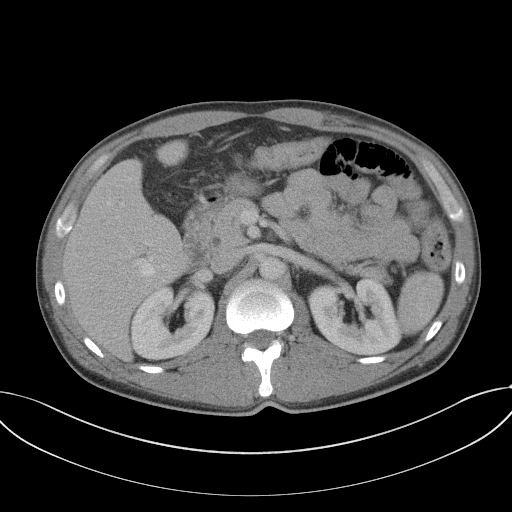
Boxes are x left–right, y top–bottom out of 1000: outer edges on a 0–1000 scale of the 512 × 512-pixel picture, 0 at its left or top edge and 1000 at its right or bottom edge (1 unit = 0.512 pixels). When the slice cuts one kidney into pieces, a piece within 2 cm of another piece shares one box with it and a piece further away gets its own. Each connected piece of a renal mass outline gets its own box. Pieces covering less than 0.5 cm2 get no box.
Contrast-enhanced abdominal CT, axial slice 70 of 102 (counted from the lowest slice); 5.00 mm thick, 0.807 mm per pixel. Boxed on this slice (two kidney boxes), listed by box centre from the image's left to its right: (1) Right kidney, box x 254–420, y 559–703 out of 1000 (outlined area 4,712 px, about 30.7 cm2). (2) Box x 602–785, y 541–695 out of 1000: left kidney (outlined area 5,267 px, about 34.3 cm2). No renal mass is outlined on this slice.
Acquired at 120 kVp and reconstructed with the B41f kernel.